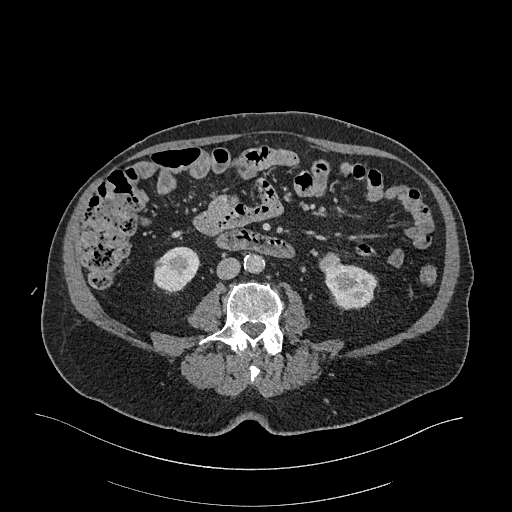
One axial slice (87 of 470, counting up from the lowest) of an arterial-phase abdominal CT acquired with 120 kVp, kernel I26f; each pixel is 0.938 mm and the slice is 1.00 mm thick.
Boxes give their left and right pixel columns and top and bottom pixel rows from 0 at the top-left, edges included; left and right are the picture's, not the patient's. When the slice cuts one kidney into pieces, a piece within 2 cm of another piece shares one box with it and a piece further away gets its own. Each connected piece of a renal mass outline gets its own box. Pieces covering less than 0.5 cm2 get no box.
Two kidney boxes and one renal mass box on this slice; by box centre, from the image's left to its right: (1) Right kidney in the box with left 153, top 246, right 199, bottom 292 (outlined area 1,618 px, about 14.2 cm2). (2) Left renal mass, the box with left 319, top 252, right 340, bottom 273 (outlined area 355 px, about 3.1 cm2). (3) Box with left 324, top 263, right 376, bottom 309: left kidney (outlined area 1,807 px, about 15.9 cm2).